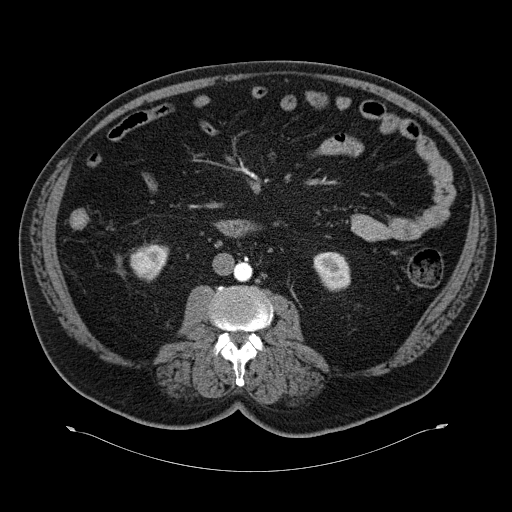
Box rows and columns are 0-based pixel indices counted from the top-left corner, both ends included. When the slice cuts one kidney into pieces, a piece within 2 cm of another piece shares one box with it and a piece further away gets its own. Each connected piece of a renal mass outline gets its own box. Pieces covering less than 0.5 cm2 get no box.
Slice 25/70 of a contrast-enhanced abdominal CT in the arterial phase, counting up from the lowest; pixel size 0.977 mm, slice thickness 5.00 mm. Three boxes on this slice (two kidney boxes and one renal mass box), listed by box centre from the image's left to its right. (1) Right renal mass at rows 247–277, columns 130–154 (outlined area 517 px, about 4.9 cm2). (2) Right kidney, box rows 243–281, columns 140–168 (outlined area 554 px, about 5.3 cm2). (3) Box rows 252–291, columns 313–350: left kidney (outlined area 1,168 px, about 11.1 cm2).
Tube voltage 120 kVp; convolution kernel B30f.